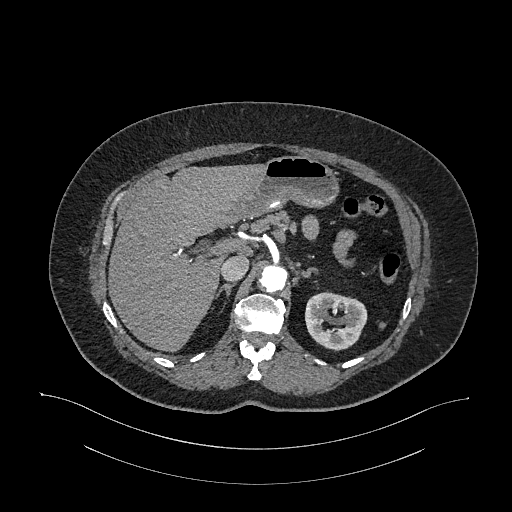
One axial slice (752 of 987, counting up from the lowest) of an arterial-phase abdominal CT acquired with 120 kVp, kernel I26f; each pixel is 0.977 mm and the slice is 1.00 mm thick.
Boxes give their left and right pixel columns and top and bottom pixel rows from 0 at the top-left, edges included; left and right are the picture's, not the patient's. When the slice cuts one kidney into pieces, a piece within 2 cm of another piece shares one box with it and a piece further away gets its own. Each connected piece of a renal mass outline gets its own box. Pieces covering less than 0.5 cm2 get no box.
Box with left 305, top 291, right 367, bottom 350: left kidney (outlined area 2,764 px, about 26.4 cm2). This slice carries no renal mass outline.